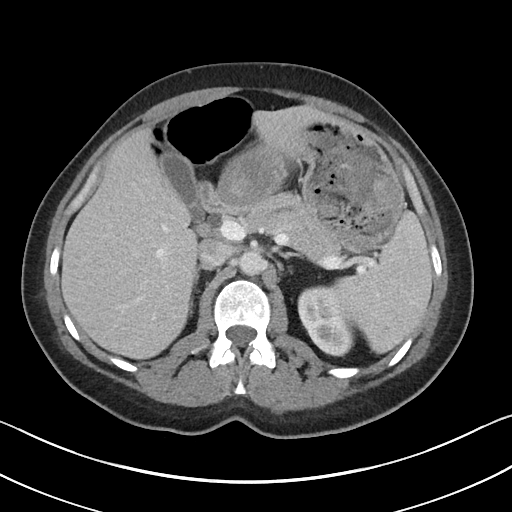
Abdominal CT with intravenous contrast, arterial phase, axial plane, 100 kVp, kernel I40f. Slice 70/90 from the bottom of the scan; thickness 5.00 mm; pixel size 0.703 mm.
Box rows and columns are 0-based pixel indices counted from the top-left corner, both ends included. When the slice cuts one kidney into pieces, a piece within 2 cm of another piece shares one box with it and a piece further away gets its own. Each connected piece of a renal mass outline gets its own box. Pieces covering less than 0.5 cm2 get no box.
Left kidney, box rows 285–356, columns 297–352 (outlined area 2,709 px, about 13.4 cm2). No renal mass is outlined on this slice.